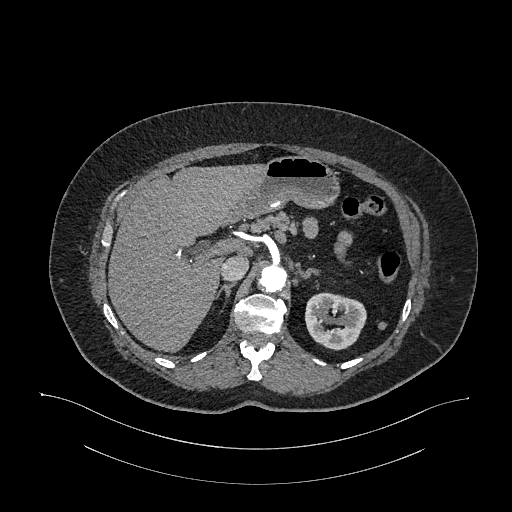
Axial slice 754 of 987 of a contrast-enhanced abdominal CT in the arterial phase (slice 1 is the lowest), 120 kVp, kernel I26f; 1.00 mm slice thickness and 0.977 mm pixels.
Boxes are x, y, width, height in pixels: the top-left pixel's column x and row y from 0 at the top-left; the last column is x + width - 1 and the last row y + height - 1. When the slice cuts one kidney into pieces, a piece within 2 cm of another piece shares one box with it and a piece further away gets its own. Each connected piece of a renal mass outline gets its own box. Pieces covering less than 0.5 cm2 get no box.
Box x 305, y 292, width 62, height 59: left kidney (outlined area 2,726 px, about 26.0 cm2). No renal mass is outlined on this slice.